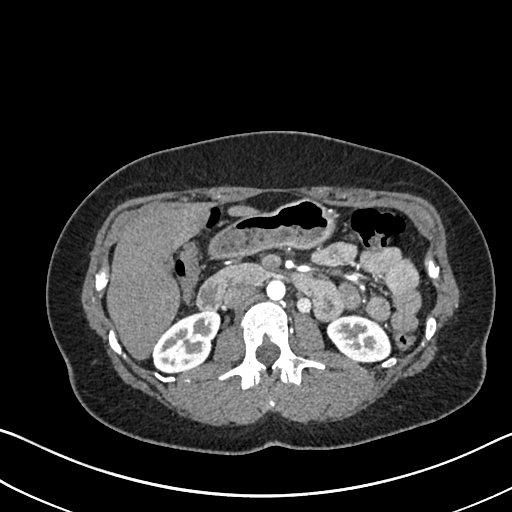
One axial slice (402 of 612, counting up from the lowest) of an arterial-phase abdominal CT acquired with 120 kVp, kernel I30f; each pixel is 0.703 mm and the slice is 1.00 mm thick.
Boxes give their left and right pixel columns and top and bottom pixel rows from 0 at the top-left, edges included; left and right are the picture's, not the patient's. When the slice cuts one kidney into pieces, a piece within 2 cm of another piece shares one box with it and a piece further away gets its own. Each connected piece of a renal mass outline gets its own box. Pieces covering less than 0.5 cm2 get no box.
Boxed on this slice (two kidney boxes), listed by box centre from the image's left to its right: (1) Right kidney, the box with left 153, top 310, right 220, bottom 373 (outlined area 2,919 px, about 14.4 cm2). (2) Left kidney, the box with left 326, top 314, right 391, bottom 363 (outlined area 2,329 px, about 11.5 cm2). No renal mass outline on this slice.